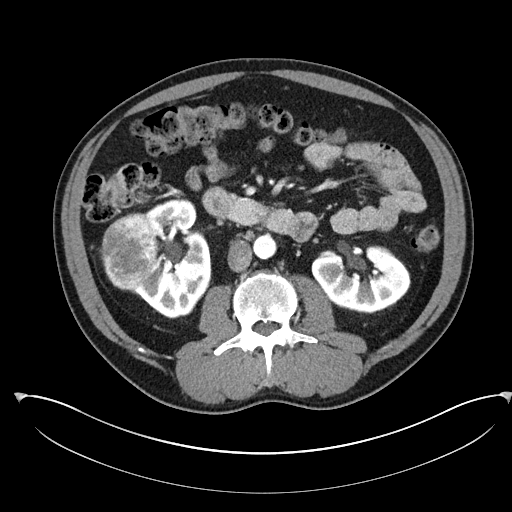
Axial slice 131 of 302 of a contrast-enhanced abdominal CT in the arterial phase (slice 1 is the lowest), 100 kVp, kernel I30f; 5.00 mm slice thickness and 0.875 mm pixels.
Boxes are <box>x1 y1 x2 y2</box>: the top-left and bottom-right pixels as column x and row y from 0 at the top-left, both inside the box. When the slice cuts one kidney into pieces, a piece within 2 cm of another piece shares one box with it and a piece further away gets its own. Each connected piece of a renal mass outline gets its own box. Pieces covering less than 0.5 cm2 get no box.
Two kidney boxes and one renal mass box on this slice; by box centre, from the image's left to its right: (1) Right renal mass at <box>102 212 156 290</box> (outlined area 3,385 px, about 25.9 cm2). (2) At <box>132 199 210 318</box>: right kidney (outlined area 5,998 px, about 45.9 cm2). (3) At <box>311 245 410 313</box>: left kidney (outlined area 4,979 px, about 38.1 cm2).